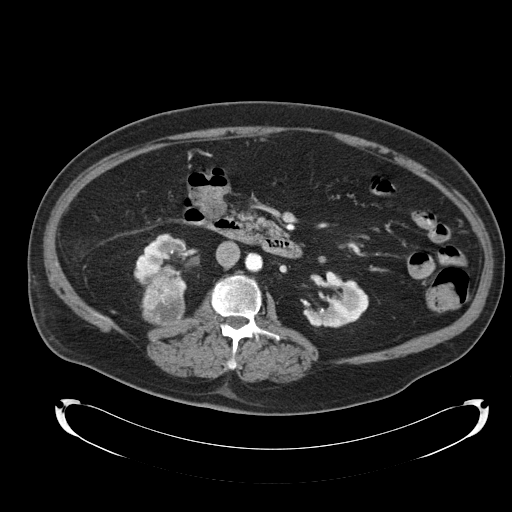
Contrast-enhanced abdominal CT, axial slice 59 of 92 (counted from the lowest slice); tube voltage 120 kVp, convolution kernel B30f; slices 5.00 mm thick, 0.918 mm per pixel.
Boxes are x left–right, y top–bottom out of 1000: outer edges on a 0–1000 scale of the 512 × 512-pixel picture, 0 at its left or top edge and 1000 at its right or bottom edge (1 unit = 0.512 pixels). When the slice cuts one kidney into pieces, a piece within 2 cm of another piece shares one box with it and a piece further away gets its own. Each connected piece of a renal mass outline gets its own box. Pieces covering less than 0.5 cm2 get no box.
Boxed on this slice (two kidney boxes and one renal mass box), listed by box centre from the image's left to its right: (1) Right kidney at x 260–367, y 455–564 out of 1000 (outlined area 1,658 px, about 14.0 cm2). (2) Right renal mass, box x 273–367, y 512–639 out of 1000 (outlined area 2,216 px, about 18.7 cm2). (3) Left kidney at x 590–721, y 529–641 out of 1000 (outlined area 2,342 px, about 19.7 cm2).